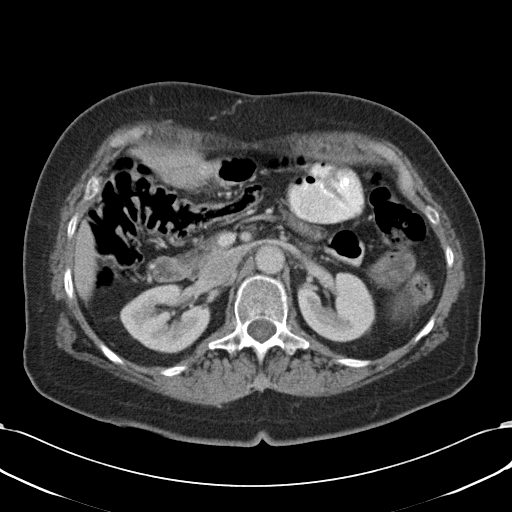
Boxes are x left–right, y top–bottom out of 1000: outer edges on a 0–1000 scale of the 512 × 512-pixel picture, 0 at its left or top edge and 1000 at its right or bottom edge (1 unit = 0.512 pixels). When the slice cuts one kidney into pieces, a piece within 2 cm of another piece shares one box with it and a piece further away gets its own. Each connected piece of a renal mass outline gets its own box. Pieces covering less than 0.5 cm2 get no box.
Contrast-enhanced abdominal CT, axial slice 65 of 90 (counted from the lowest slice); 5.00 mm thick, 0.707 mm per pixel. Boxed on this slice (two kidney boxes), listed by box centre from the image's left to its right: (1) Right kidney, box x 232–412, y 557–691 out of 1000 (outlined area 4,522 px, about 22.6 cm2). (2) Left kidney, box x 582–732, y 531–670 out of 1000 (outlined area 3,866 px, about 19.3 cm2). This slice carries no renal mass outline.
Acquired at 120 kVp and reconstructed with the B31f kernel.